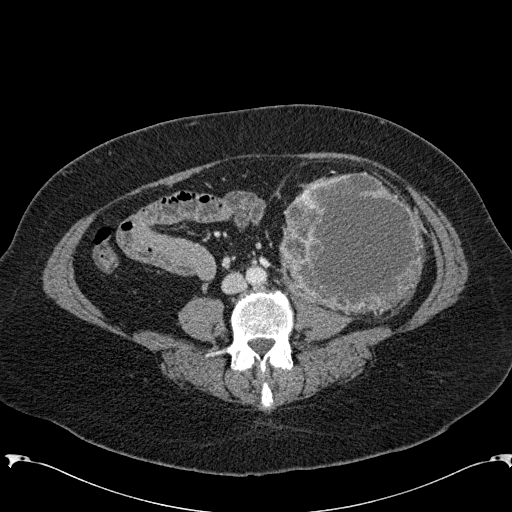
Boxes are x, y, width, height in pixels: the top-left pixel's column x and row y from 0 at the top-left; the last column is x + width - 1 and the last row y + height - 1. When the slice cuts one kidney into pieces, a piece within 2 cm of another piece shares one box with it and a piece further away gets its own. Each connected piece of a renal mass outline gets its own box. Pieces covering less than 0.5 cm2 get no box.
This is axial slice 56 of 285 (slice 1 is the lowest) of an arterial-phase abdominal CT with contrast; each pixel is 0.762 mm and the slice is 2.00 mm thick. Left renal mass, box x 279, y 171, width 147, height 147 (outlined area 16,330 px, about 94.7 cm2); no kidney is outlined on this slice, but the same outlined renal mass comes within 1 cm of the kidney on another slice.
Tube voltage 120 kVp; convolution kernel B31f.